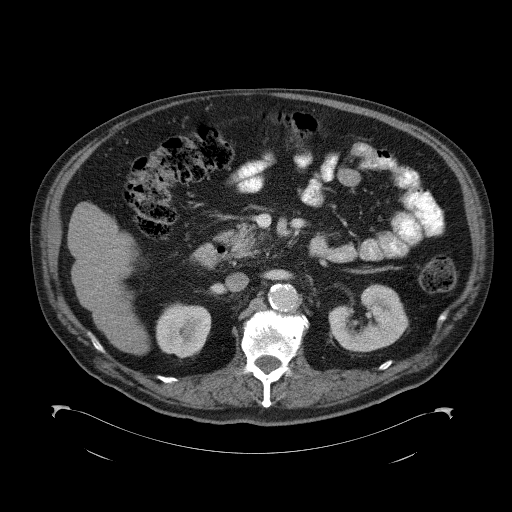
Contrast-enhanced abdominal CT, axial slice 62 of 98 (counted from the lowest slice); tube voltage 120 kVp, convolution kernel B41f; slices 5.00 mm thick, 0.965 mm per pixel.
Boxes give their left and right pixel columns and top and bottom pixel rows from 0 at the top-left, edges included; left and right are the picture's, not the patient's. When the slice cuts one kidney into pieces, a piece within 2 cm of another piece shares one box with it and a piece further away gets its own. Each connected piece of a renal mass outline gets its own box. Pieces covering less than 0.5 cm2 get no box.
Two kidney boxes on this slice; by box centre, from the image's left to its right: (1) Box with left 155, top 302, right 211, bottom 358: right kidney (outlined area 2,461 px, about 22.9 cm2). (2) Box with left 328, top 284, right 408, bottom 352: left kidney (outlined area 3,673 px, about 34.2 cm2). No renal mass outline on this slice.